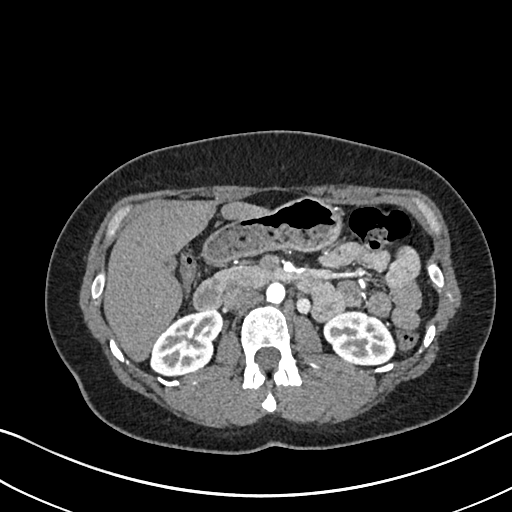
Axial slice 412 of 612 of a contrast-enhanced abdominal CT in the arterial phase (slice 1 is the lowest), 120 kVp, kernel I30f; 1.00 mm slice thickness and 0.703 mm pixels.
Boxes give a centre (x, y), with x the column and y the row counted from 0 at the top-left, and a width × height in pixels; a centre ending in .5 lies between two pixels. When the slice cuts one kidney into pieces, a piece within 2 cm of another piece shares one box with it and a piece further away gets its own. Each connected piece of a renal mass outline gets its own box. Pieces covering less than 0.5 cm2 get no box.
Boxed on this slice (two kidney boxes), listed by box centre from the image's left to its right: (1) Right kidney in a box with centre (186.5, 342.5), 74 × 68 pixels (outlined area 3,403 px, about 16.8 cm2). (2) Box centre (359.5, 337.5), 74 × 56 pixels: left kidney (outlined area 3,035 px, about 15.0 cm2). No renal mass is outlined on this slice.